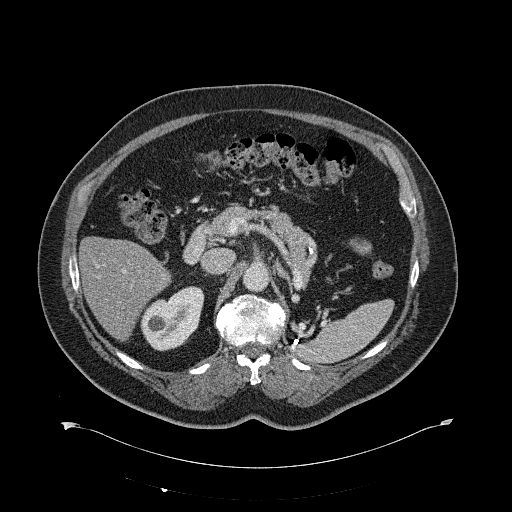
One axial slice (407 of 734, counting up from the lowest) of a contrast-enhanced abdominal CT acquired with 120 kVp, kernel B31f; each pixel is 0.971 mm and the slice is 2.00 mm thick.
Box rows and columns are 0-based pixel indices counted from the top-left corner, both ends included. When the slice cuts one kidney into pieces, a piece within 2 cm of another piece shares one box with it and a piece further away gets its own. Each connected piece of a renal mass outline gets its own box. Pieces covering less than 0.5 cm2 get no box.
Box rows 286–351, columns 140–204: right kidney (outlined area 2,898 px, about 27.3 cm2). No renal mass is outlined on this slice.